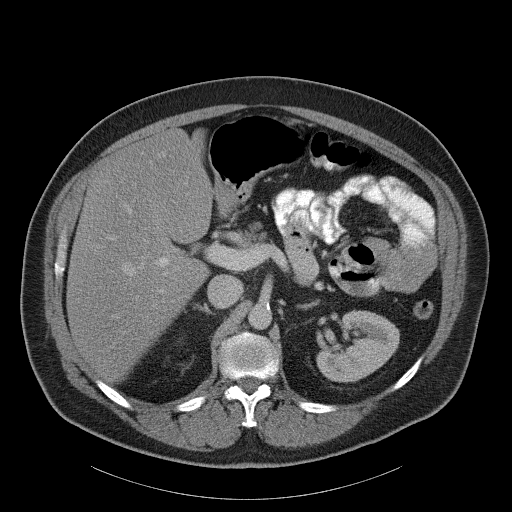
Axial slice 73 of 107 of a contrast-enhanced abdominal CT (slice 1 is the lowest), 120 kVp, kernel B31f; 5.00 mm slice thickness and 0.941 mm pixels.
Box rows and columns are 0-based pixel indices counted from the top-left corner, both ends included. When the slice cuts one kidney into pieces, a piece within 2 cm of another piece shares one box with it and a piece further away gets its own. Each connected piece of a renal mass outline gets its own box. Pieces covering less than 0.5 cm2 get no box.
Box rows 310–382, columns 316–399: left kidney (outlined area 4,188 px, about 37.1 cm2). No renal mass outline on this slice.